Axial slice 9 of 69 of a contrast-enhanced abdominal CT in the arterial phase (slice 1 is the lowest), 120 kVp, kernel STANDARD; 2.50 mm slice thickness and 0.846 mm pixels.
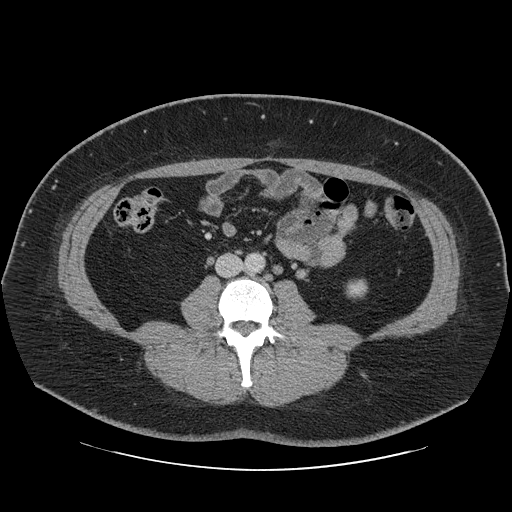
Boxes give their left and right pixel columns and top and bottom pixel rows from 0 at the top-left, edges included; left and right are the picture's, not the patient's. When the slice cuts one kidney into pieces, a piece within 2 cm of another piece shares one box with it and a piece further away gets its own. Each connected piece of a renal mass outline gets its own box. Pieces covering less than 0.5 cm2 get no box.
Left kidney in the box with left 345, top 278, right 368, bottom 298 (outlined area 389 px, about 2.8 cm2). This slice carries no renal mass outline.